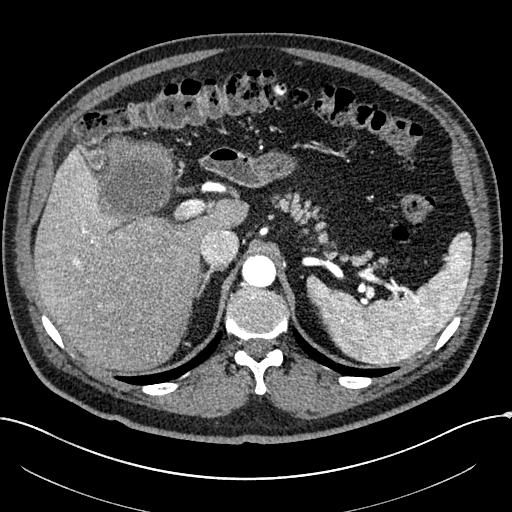
Arterial-phase contrast-enhanced abdominal CT, axial slice 187 of 304 (counted from the lowest slice); tube voltage 100 kVp, convolution kernel I30f; slices 2.00 mm thick, 0.809 mm per pixel.
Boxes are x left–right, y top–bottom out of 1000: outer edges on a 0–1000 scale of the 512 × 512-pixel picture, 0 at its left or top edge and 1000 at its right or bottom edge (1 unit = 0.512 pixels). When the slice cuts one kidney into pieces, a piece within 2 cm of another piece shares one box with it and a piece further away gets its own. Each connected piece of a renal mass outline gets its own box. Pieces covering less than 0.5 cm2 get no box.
Right renal mass, box x 193–344, y 268–432 out of 1000 (outlined area 5,187 px, about 33.9 cm2); no kidney is outlined on this slice, but the same outlined renal mass comes within 1 cm of the kidney on another slice.